Axial slice 137 of 164 of a contrast-enhanced abdominal CT in the arterial phase (slice 1 is the lowest), 130 kVp, kernel B30s; 3.00 mm slice thickness and 0.664 mm pixels.
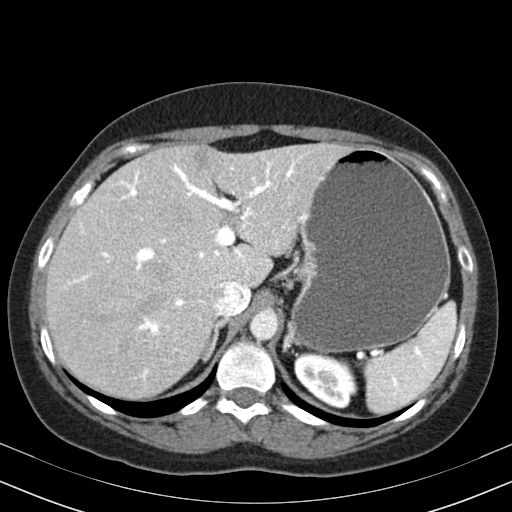
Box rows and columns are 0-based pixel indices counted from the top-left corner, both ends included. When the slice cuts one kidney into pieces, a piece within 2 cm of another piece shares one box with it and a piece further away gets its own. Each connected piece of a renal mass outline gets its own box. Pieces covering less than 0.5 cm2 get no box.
Box rows 352–407, columns 294–354: left kidney (outlined area 2,512 px, about 11.1 cm2). This slice carries no renal mass outline.